Abdominal CT with intravenous contrast, axial plane, 100 kVp, kernel I40f. Slice 310/439 from the bottom of the scan; thickness 2.00 mm; pixel size 0.850 mm.
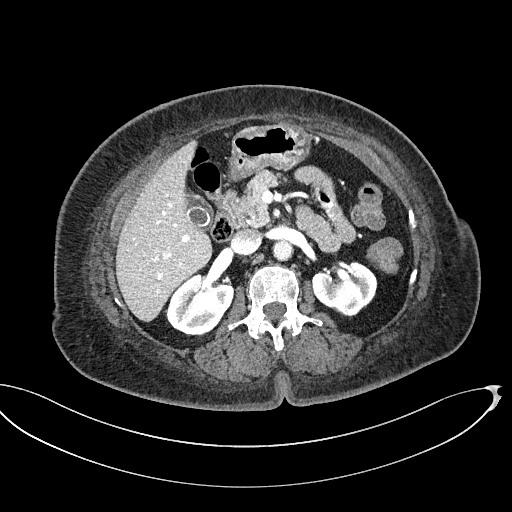
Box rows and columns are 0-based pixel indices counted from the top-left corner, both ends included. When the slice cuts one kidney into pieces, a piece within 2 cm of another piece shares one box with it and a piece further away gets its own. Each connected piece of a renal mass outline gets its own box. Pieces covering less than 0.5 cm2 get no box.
Boxed on this slice (two kidney boxes), listed by box centre from the image's left to its right: (1) Right kidney, box rows 273–336, columns 166–233 (outlined area 3,032 px, about 21.9 cm2). (2) Left kidney, box rows 261–317, columns 311–377 (outlined area 2,634 px, about 19.0 cm2). No renal mass is outlined on this slice.